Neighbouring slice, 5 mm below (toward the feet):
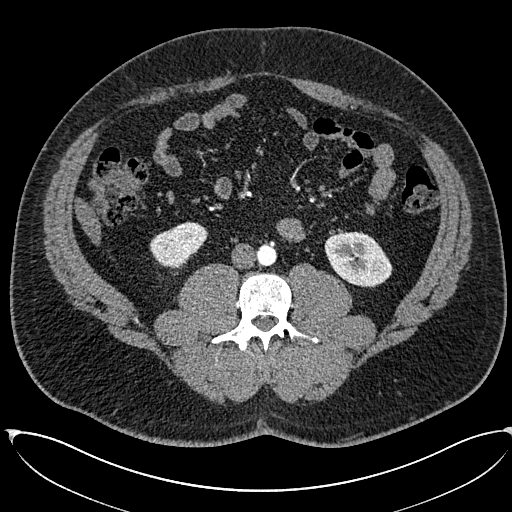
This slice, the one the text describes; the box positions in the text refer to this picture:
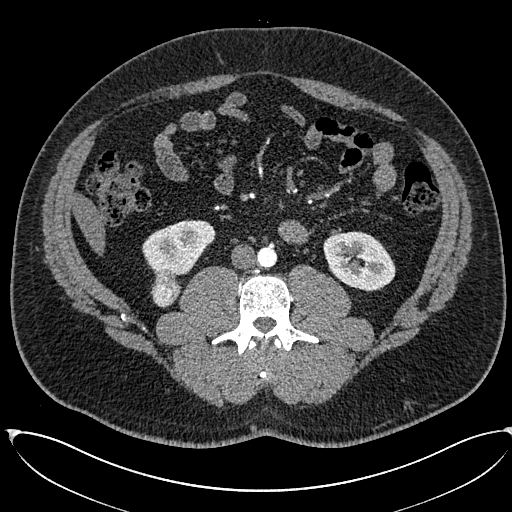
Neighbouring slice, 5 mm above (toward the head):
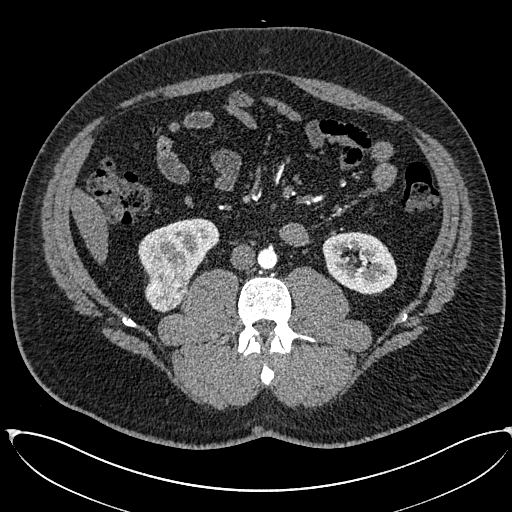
One axial slice (267 of 673, counting up from the lowest) of an arterial-phase abdominal CT acquired with 120 kVp, kernel I30f; each pixel is 0.855 mm and the slice is 1.00 mm thick.
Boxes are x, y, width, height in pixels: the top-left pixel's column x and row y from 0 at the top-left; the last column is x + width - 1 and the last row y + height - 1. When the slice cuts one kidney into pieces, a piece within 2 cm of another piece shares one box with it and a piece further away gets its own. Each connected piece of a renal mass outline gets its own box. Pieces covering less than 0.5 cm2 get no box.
Two kidney boxes and one renal mass box on this slice; by box centre, from the image's left to its right: (1) Right renal mass, box x 150, y 269, width 31, height 39 (outlined area 878 px, about 6.4 cm2). (2) Right kidney at x 142, y 220, width 74, height 56 (outlined area 2,844 px, about 20.8 cm2). (3) Left kidney, box x 323, y 231, width 73, height 60 (outlined area 3,227 px, about 23.6 cm2). This slice is near the end of the right renal mass toward the feet, so the slices 5 mm below and 5 mm above it are shown as well; the boxes refer to this slice only.